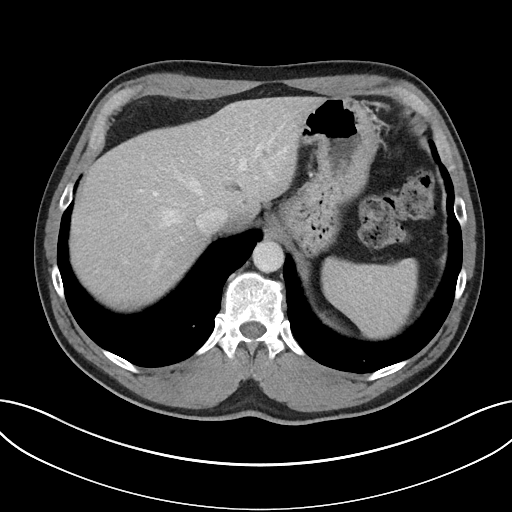
Axial slice 32 of 32 of a contrast-enhanced abdominal CT in the arterial phase (slice 1 is the lowest), 100 kVp, kernel I40f; 5.00 mm slice thickness and 0.779 mm pixels.
Neither a kidney nor a renal mass is outlined here. Only kidneys and renal masses are outlined anywhere in this scan; other structures are never outlined.